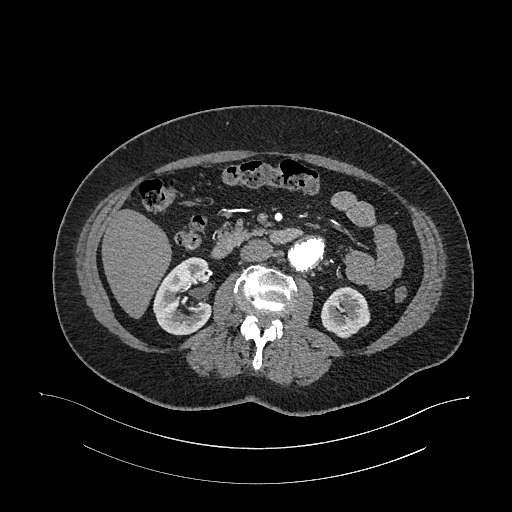
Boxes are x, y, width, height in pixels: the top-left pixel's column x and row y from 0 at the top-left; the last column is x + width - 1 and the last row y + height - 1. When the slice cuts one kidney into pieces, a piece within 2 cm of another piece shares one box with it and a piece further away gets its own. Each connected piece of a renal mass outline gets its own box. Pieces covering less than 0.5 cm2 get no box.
This is axial slice 618 of 987 (slice 1 is the lowest) of an arterial-phase abdominal CT with contrast; each pixel is 0.977 mm and the slice is 1.00 mm thick. Two boxes on this slice (two kidney boxes), listed by box centre from the image's left to its right. (1) Right kidney, box x 153, y 257, width 60, height 79 (outlined area 3,401 px, about 32.4 cm2). (2) Left kidney, box x 320, y 286, width 51, height 53 (outlined area 1,911 px, about 18.2 cm2). No renal mass is outlined on this slice.
Scan settings: 120 kVp, I26f reconstruction kernel.